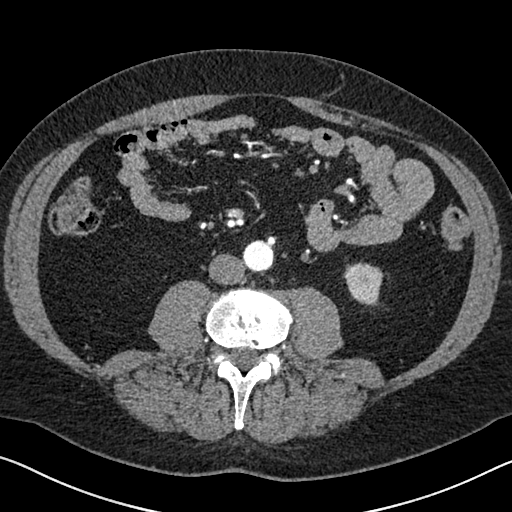
Axial slice 286 of 626 of a contrast-enhanced abdominal CT in the arterial phase (slice 1 is the lowest), 120 kVp, kernel I30f; 1.00 mm slice thickness and 0.703 mm pixels.
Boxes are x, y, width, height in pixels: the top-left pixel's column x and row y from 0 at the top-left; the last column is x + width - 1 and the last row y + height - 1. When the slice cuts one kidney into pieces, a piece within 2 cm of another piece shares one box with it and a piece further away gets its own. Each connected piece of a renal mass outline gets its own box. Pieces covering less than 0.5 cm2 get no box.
Left kidney, box x 344, y 262, width 40, height 44 (outlined area 1,281 px, about 6.3 cm2). No renal mass is outlined on this slice.